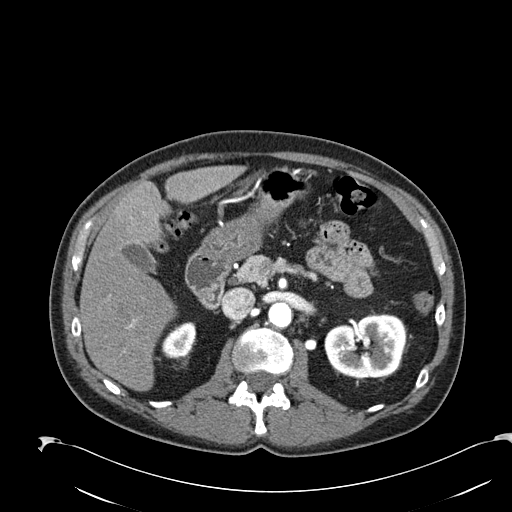
Abdominal CT with intravenous contrast, arterial phase, axial plane, 120 kVp, kernel B30f. Slice 137/274 from the bottom of the scan; thickness 2.00 mm; pixel size 0.809 mm.
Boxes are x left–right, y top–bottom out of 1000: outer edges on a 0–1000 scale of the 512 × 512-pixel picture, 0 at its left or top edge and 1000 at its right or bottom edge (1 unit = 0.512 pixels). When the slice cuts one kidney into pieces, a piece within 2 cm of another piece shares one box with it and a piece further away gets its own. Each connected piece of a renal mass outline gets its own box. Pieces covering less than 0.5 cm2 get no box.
Two boxes on this slice (two kidney boxes), listed by box centre from the image's left to its right. (1) Right kidney at x 314–385, y 629–701 out of 1000 (outlined area 944 px, about 6.2 cm2). (2) Box x 633–795, y 613–740 out of 1000: left kidney (outlined area 4,268 px, about 27.9 cm2). No renal mass outline on this slice.